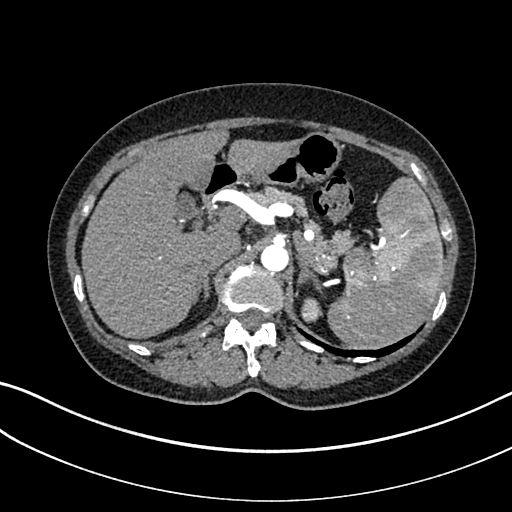
One axial slice (253 of 325, counting up from the lowest) of an arterial-phase abdominal CT acquired with 100 kVp, kernel I30f; each pixel is 0.703 mm and the slice is 1.00 mm thick.
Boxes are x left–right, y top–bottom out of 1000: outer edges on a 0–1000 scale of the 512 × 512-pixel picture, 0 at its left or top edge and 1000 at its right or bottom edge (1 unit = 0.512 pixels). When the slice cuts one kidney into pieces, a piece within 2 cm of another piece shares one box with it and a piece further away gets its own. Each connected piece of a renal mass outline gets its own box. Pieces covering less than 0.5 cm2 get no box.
Box x 588–631, y 580–631 out of 1000: left kidney (outlined area 412 px, about 2.0 cm2). No renal mass outline on this slice.